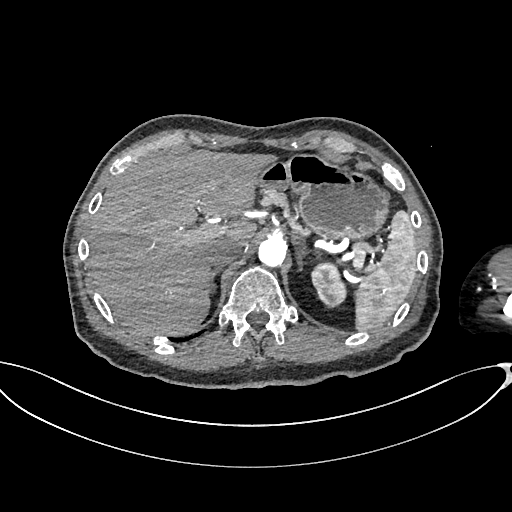
Axial slice 510 of 665 of a contrast-enhanced abdominal CT in the arterial phase (slice 1 is the lowest), 100 kVp, kernel I26f; 1.00 mm slice thickness and 0.828 mm pixels.
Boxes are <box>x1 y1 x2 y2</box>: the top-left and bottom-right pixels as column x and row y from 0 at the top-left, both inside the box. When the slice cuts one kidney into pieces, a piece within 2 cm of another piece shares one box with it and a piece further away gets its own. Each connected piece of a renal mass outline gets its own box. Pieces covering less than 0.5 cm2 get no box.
Left kidney: <box>311 261 347 308</box> (outlined area 1,224 px, about 8.4 cm2). This slice carries no renal mass outline.